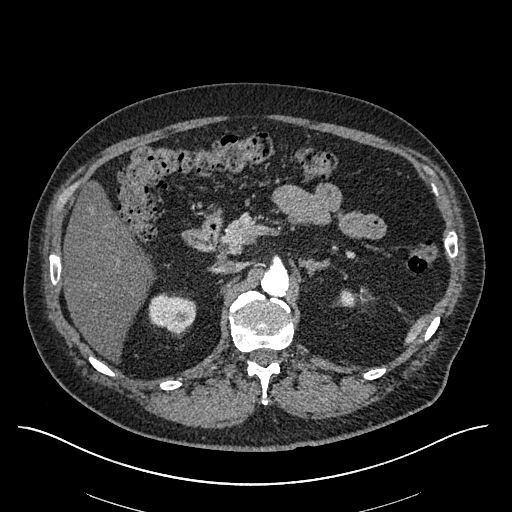
One axial slice (395 of 670, counting up from the lowest) of an arterial-phase abdominal CT acquired with 120 kVp, kernel I30f; each pixel is 0.861 mm and the slice is 1.00 mm thick.
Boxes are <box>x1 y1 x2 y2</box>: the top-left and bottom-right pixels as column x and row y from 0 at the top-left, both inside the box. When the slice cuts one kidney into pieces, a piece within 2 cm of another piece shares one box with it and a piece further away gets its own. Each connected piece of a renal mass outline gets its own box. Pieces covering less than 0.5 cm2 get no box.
Two boxes on this slice (two kidney boxes), listed by box centre from the image's left to its right. (1) Right kidney at <box>148 293 195 333</box> (outlined area 1,452 px, about 10.8 cm2). (2) Left kidney: <box>340 290 353 305</box> (outlined area 169 px, about 1.3 cm2). This slice carries no renal mass outline.